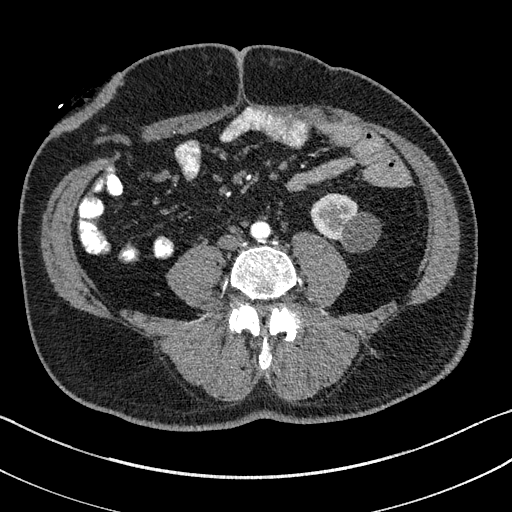
Arterial-phase contrast-enhanced abdominal CT, axial slice 35 of 195 (counted from the lowest slice); tube voltage 100 kVp, convolution kernel I31f; slices 1.50 mm thick, 0.707 mm per pixel.
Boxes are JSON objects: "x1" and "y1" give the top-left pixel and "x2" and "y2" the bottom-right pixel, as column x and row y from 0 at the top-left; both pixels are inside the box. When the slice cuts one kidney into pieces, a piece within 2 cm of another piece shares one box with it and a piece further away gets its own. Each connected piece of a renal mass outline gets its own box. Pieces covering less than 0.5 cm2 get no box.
Left kidney, box {"x1": 310, "y1": 193, "x2": 378, "y2": 250} (outlined area 2,596 px, about 13.0 cm2). No renal mass is outlined on this slice.